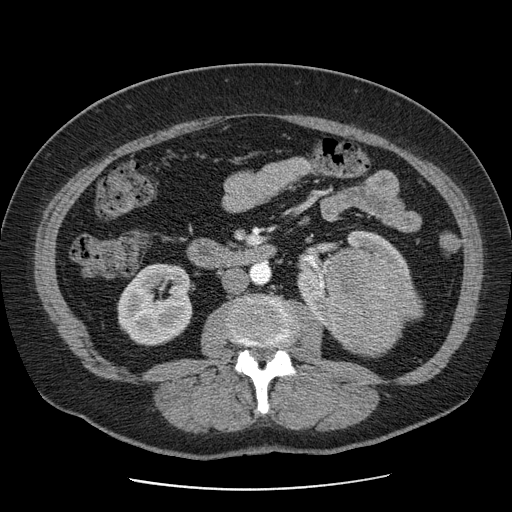
Axial slice 34 of 103 of a contrast-enhanced abdominal CT (slice 1 is the lowest), 120 kVp, kernel STANDARD; 2.50 mm slice thickness and 0.736 mm pixels.
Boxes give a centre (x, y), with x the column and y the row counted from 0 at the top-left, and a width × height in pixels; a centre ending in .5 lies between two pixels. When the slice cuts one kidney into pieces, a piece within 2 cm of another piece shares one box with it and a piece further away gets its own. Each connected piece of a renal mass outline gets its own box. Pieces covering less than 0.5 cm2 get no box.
Two kidney boxes and one renal mass box on this slice; by box centre, from the image's left to its right: (1) Right kidney, box centre (154.5, 304.5), 76 × 84 pixels (outlined area 4,863 px, about 26.4 cm2). (2) Left kidney, box centre (353, 281), 113 × 103 pixels (outlined area 2,679 px, about 14.5 cm2). (3) Left renal mass in a box with centre (372.5, 301), 98 × 107 pixels (outlined area 7,713 px, about 41.8 cm2).